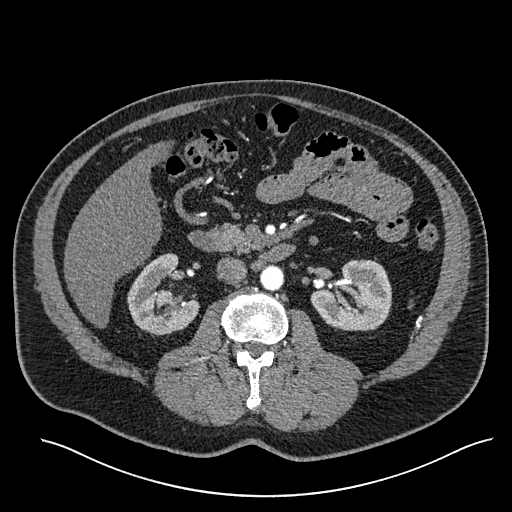
Arterial-phase contrast-enhanced abdominal CT, axial slice 321 of 527 (counted from the lowest slice); tube voltage 120 kVp, convolution kernel I30f; slices 1.00 mm thick, 0.859 mm per pixel.
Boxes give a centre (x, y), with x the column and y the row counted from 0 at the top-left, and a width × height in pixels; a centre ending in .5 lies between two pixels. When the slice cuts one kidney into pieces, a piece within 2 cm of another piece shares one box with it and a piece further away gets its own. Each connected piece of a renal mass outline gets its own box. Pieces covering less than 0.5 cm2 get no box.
Two kidney boxes and one renal mass box on this slice; by box centre, from the image's left to its right: (1) Box centre (163, 294.5), 73 × 84 pixels: right kidney (outlined area 3,548 px, about 26.2 cm2). (2) Box centre (164, 296.5), 17 × 18 pixels: right renal mass (outlined area 248 px, about 1.8 cm2). (3) Left kidney in a box with centre (350.5, 294.5), 82 × 72 pixels (outlined area 4,360 px, about 32.2 cm2).